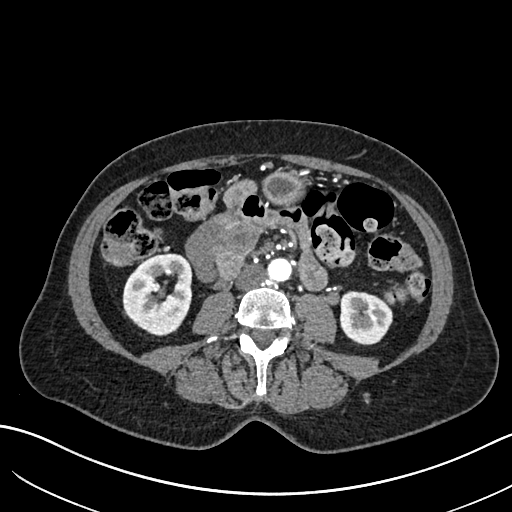
Abdominal CT with intravenous contrast, arterial phase, axial plane, 120 kVp, kernel I30f. Slice 305/683 from the bottom of the scan; thickness 1.00 mm; pixel size 0.738 mm.
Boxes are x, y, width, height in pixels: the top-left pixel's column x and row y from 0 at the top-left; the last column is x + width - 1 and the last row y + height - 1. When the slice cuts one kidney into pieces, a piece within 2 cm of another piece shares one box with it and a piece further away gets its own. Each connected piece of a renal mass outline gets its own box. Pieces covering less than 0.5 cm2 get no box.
Two boxes on this slice (two kidney boxes), listed by box centre from the image's left to its right. (1) Right kidney, box x 122, y 253, width 71, height 84 (outlined area 4,358 px, about 23.8 cm2). (2) Left kidney at x 340, y 291, width 53, height 55 (outlined area 2,294 px, about 12.5 cm2). This slice carries no renal mass outline.